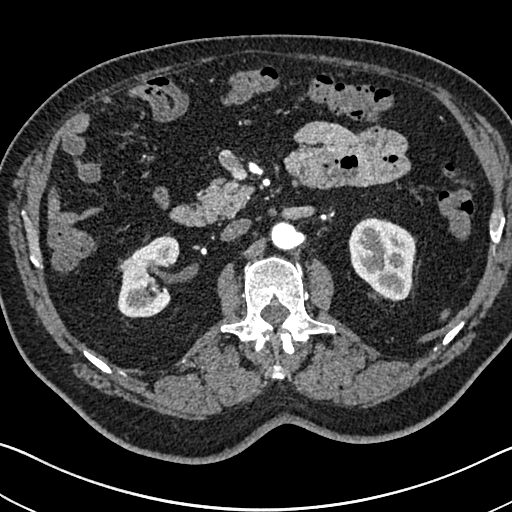
Abdominal CT with intravenous contrast, arterial phase, axial plane, 120 kVp, kernel I30f. Slice 430/705 from the bottom of the scan; thickness 1.00 mm; pixel size 0.703 mm.
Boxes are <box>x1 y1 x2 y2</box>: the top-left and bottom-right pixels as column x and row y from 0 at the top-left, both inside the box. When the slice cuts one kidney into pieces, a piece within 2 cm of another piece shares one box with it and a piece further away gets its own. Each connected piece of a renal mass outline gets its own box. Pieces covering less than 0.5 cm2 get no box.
Boxed on this slice (two kidney boxes), listed by box centre from the image's left to its right: (1) At <box>117 233 180 317</box>: right kidney (outlined area 3,584 px, about 17.7 cm2). (2) At <box>348 217 416 301</box>: left kidney (outlined area 4,297 px, about 21.2 cm2).